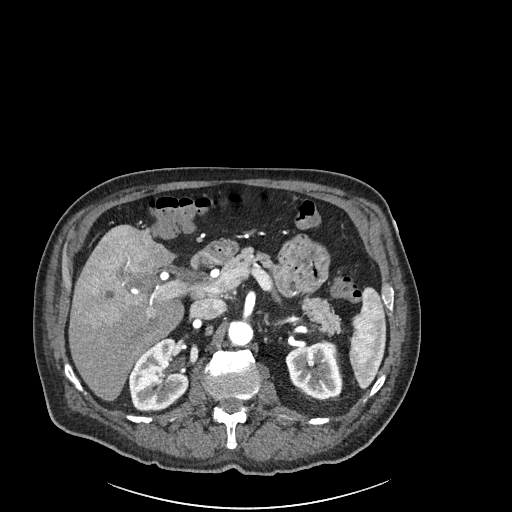
Arterial-phase contrast-enhanced abdominal CT, axial slice 140 of 261 (counted from the lowest slice); tube voltage 120 kVp, convolution kernel I30f; slices 2.00 mm thick, 0.939 mm per pixel.
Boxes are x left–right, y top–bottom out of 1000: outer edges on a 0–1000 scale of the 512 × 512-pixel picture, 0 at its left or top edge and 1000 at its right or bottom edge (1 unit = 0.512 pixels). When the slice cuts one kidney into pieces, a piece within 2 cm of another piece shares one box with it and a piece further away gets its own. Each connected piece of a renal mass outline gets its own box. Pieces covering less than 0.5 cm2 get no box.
Boxed on this slice (two kidney boxes), listed by box centre from the image's left to its right: (1) Box x 250–369, y 660–803 out of 1000: right kidney (outlined area 3,259 px, about 28.8 cm2). (2) Left kidney, box x 557–668, y 666–781 out of 1000 (outlined area 2,454 px, about 21.7 cm2). This slice carries no renal mass outline.